Abdominal CT with intravenous contrast, arterial phase, axial plane, 120 kVp, kernel B30f. Slice 317/532 from the bottom of the scan; thickness 1.00 mm; pixel size 0.713 mm.
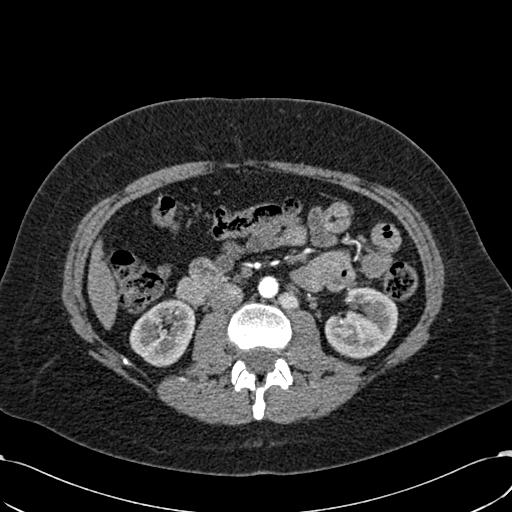
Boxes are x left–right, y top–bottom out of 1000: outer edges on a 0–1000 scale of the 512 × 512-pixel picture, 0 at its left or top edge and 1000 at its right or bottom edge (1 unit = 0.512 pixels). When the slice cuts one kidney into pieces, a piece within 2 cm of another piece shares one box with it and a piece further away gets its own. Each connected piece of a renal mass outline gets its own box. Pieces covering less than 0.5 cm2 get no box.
Two kidney boxes on this slice; by box centre, from the image's left to its right: (1) Box x 252–383, y 584–717 out of 1000: right kidney (outlined area 3,270 px, about 16.6 cm2). (2) Left kidney at x 633–779, y 557–701 out of 1000 (outlined area 3,856 px, about 19.6 cm2). No renal mass is outlined on this slice.